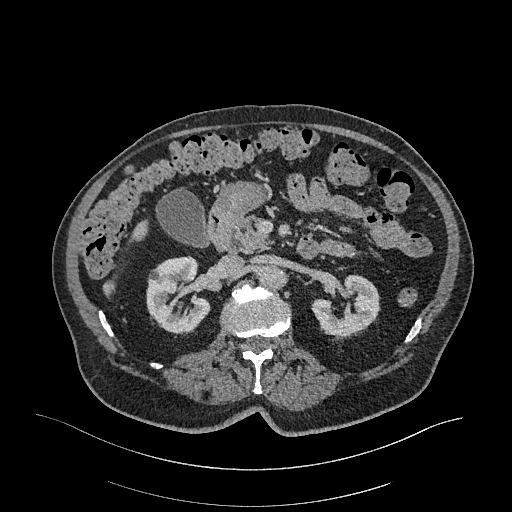
One axial slice (185 of 470, counting up from the lowest) of an arterial-phase abdominal CT acquired with 120 kVp, kernel I26f; each pixel is 0.938 mm and the slice is 1.00 mm thick.
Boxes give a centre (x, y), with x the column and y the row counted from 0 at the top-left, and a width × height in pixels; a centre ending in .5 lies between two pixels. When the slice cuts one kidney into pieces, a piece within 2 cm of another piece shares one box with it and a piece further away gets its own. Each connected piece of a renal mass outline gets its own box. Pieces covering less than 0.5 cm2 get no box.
Two boxes on this slice (two kidney boxes), listed by box centre from the image's left to its right. (1) Right kidney, box centre (178.5, 295), 66 × 79 pixels (outlined area 3,744 px, about 32.9 cm2). (2) Left kidney in a box with centre (344.5, 305.5), 68 × 64 pixels (outlined area 2,747 px, about 24.1 cm2). This slice carries no renal mass outline.